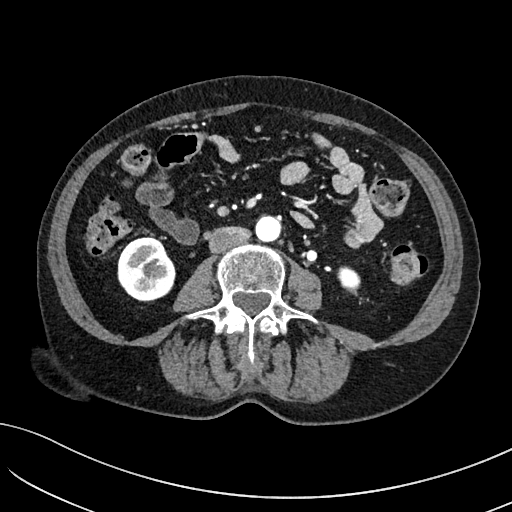
Abdominal CT with intravenous contrast, arterial phase, axial plane, 100 kVp, kernel I40f. Slice 23/234 from the bottom of the scan; thickness 2.00 mm; pixel size 0.699 mm.
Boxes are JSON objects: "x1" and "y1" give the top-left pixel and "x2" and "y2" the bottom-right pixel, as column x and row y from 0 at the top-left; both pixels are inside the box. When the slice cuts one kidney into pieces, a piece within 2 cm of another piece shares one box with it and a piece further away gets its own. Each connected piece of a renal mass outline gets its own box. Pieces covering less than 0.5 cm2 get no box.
Boxed on this slice (two kidney boxes), listed by box centre from the image's left to its right: (1) Right kidney at {"x1": 117, "y1": 234, "x2": 175, "y2": 301} (outlined area 2,986 px, about 14.6 cm2). (2) Left kidney, box {"x1": 337, "y1": 266, "x2": 360, "y2": 291} (outlined area 448 px, about 2.2 cm2). No renal mass outline on this slice.